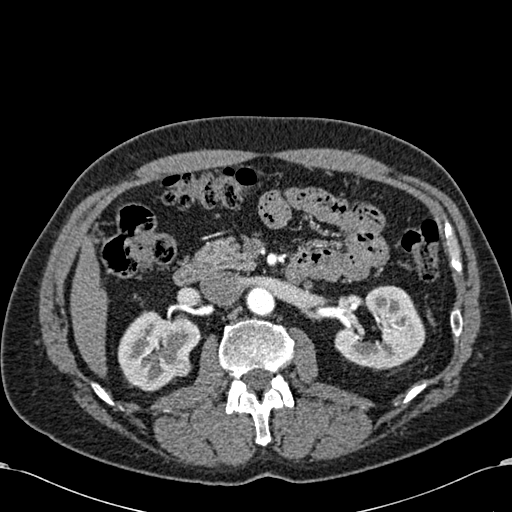
Axial slice 366 of 581 of a contrast-enhanced abdominal CT in the arterial phase (slice 1 is the lowest), 120 kVp, kernel B30f; 1.00 mm slice thickness and 0.713 mm pixels.
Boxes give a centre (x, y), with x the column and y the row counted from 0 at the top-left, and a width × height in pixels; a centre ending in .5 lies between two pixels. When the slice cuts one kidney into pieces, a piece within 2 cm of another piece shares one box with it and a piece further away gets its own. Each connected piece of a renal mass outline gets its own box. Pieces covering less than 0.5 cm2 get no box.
Boxed on this slice (two kidney boxes and one renal mass box), listed by box centre from the image's left to its right: (1) Right kidney, box centre (159, 350.5), 85 × 82 pixels (outlined area 4,450 px, about 22.6 cm2). (2) Right renal mass, box centre (181, 365), 21 × 23 pixels (outlined area 395 px, about 2.0 cm2). (3) Left kidney in a box with centre (379.5, 327), 92 × 85 pixels (outlined area 5,094 px, about 25.9 cm2).